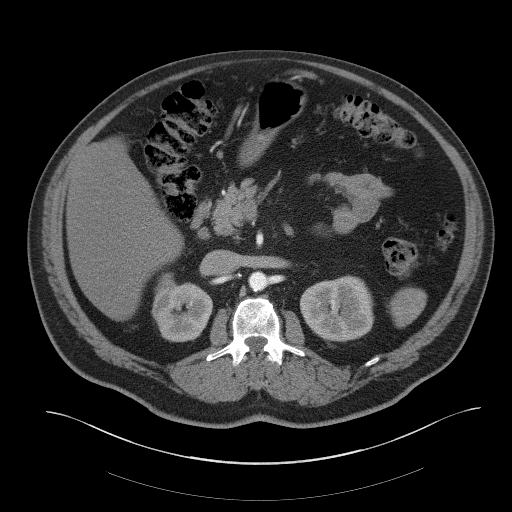
One axial slice (32 of 61, counting up from the lowest) of a contrast-enhanced abdominal CT acquired with 140 kVp, kernel B41f; each pixel is 0.939 mm and the slice is 3.00 mm thick.
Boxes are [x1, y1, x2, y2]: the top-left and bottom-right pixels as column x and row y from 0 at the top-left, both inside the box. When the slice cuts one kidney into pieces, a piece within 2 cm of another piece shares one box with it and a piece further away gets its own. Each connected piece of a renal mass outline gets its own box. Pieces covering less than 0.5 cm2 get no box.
Boxed on this slice (two kidney boxes), listed by box centre from the image's left to its right: (1) Box [151, 272, 212, 341]: right kidney (outlined area 3,084 px, about 27.2 cm2). (2) Left kidney at [300, 275, 373, 340] (outlined area 3,881 px, about 34.3 cm2). No renal mass is outlined on this slice.